Arterial-phase contrast-enhanced abdominal CT, axial slice 51 of 88 (counted from the lowest slice); tube voltage 120 kVp, convolution kernel B30f; slices 5.00 mm thick, 0.691 mm per pixel.
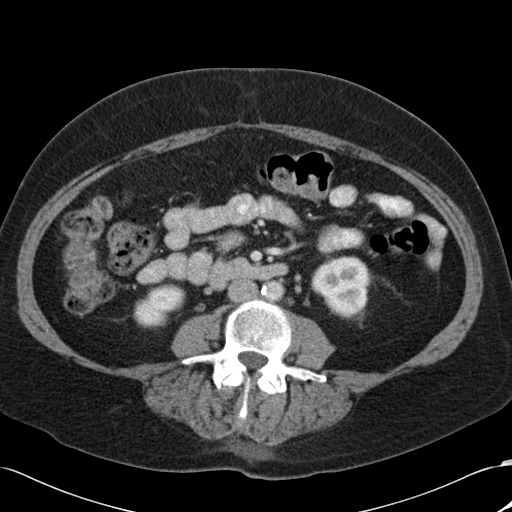
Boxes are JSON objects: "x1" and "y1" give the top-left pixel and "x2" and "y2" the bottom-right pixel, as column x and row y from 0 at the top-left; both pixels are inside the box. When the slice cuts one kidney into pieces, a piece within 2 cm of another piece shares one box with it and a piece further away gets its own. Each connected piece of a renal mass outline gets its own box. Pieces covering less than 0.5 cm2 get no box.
Two kidney boxes on this slice; by box centre, from the image's left to its right: (1) Right kidney at {"x1": 133, "y1": 283, "x2": 185, "y2": 328} (outlined area 1,593 px, about 7.6 cm2). (2) Box {"x1": 311, "y1": 256, "x2": 370, "y2": 318}: left kidney (outlined area 2,786 px, about 13.3 cm2). No renal mass outline on this slice.